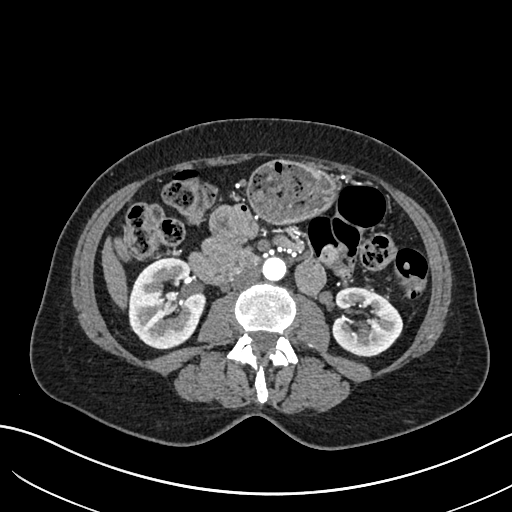
Arterial-phase contrast-enhanced abdominal CT, axial slice 336 of 683 (counted from the lowest slice); tube voltage 120 kVp, convolution kernel I30f; slices 1.00 mm thick, 0.738 mm per pixel.
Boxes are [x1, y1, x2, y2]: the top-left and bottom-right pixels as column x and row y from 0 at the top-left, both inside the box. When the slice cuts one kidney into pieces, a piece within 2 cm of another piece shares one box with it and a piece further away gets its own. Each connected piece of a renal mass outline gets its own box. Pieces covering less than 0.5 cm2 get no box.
Two kidney boxes on this slice; by box centre, from the image's left to its right: (1) Right kidney at [128, 257, 206, 349] (outlined area 5,419 px, about 29.5 cm2). (2) Left kidney at [332, 287, 403, 356] (outlined area 3,660 px, about 19.9 cm2). This slice carries no renal mass outline.